One axial slice (190 of 470, counting up from the lowest) of an arterial-phase abdominal CT acquired with 120 kVp, kernel I26f; each pixel is 0.938 mm and the slice is 1.00 mm thick.
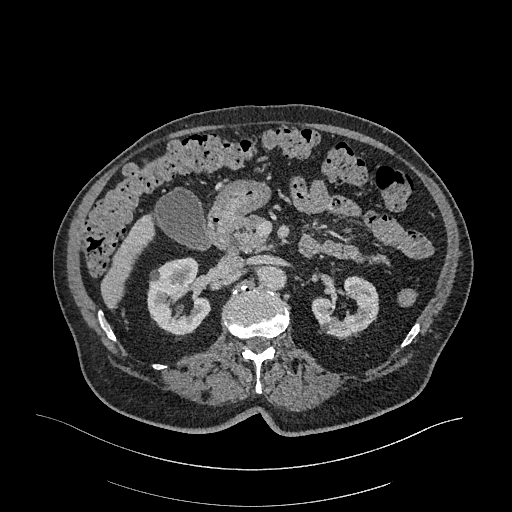
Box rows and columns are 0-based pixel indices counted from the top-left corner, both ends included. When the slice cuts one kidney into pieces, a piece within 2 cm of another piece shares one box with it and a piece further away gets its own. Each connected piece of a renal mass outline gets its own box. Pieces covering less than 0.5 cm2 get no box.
Two kidney boxes on this slice; by box centre, from the image's left to its right: (1) Right kidney, box rows 257–335, columns 147–211 (outlined area 3,675 px, about 32.3 cm2). (2) Box rows 276–337, columns 311–378: left kidney (outlined area 2,634 px, about 23.2 cm2). No renal mass is outlined on this slice.